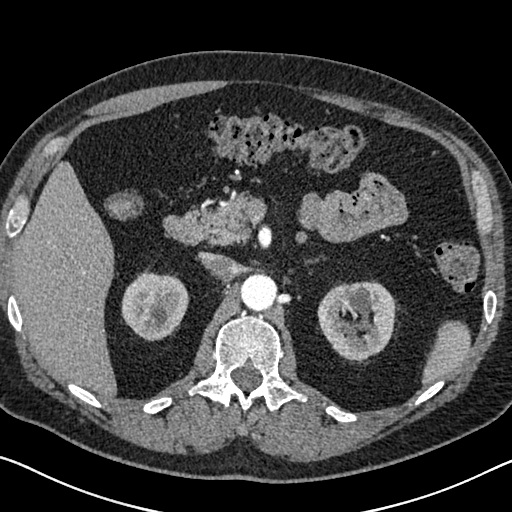
Axial slice 452 of 626 of a contrast-enhanced abdominal CT in the arterial phase (slice 1 is the lowest), 120 kVp, kernel I30f; 1.00 mm slice thickness and 0.703 mm pixels.
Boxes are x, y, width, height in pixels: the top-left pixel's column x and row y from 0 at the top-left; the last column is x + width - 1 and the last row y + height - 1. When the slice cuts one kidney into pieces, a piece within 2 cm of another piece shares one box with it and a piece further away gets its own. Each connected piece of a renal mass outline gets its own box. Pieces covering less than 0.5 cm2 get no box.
Boxed on this slice (two kidney boxes), listed by box centre from the image's left to its right: (1) Box x 121, y 270, width 68, height 70: right kidney (outlined area 3,583 px, about 17.7 cm2). (2) Box x 317, y 280, width 80, height 82: left kidney (outlined area 4,838 px, about 23.9 cm2). No renal mass outline on this slice.